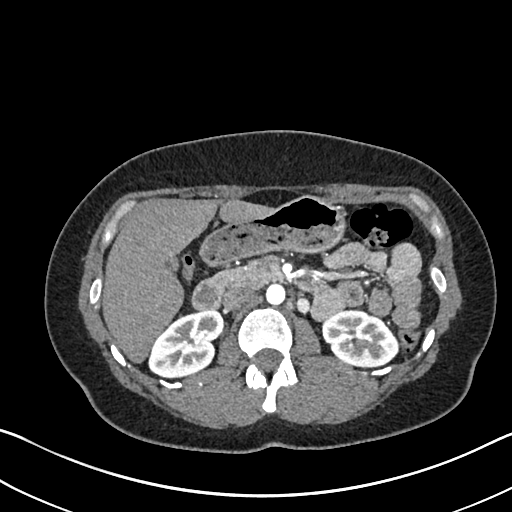
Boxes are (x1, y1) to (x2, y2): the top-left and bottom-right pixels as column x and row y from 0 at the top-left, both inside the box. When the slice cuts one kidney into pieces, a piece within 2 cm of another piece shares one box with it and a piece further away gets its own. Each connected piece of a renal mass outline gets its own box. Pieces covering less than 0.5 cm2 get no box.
This is axial slice 418 of 612 (slice 1 is the lowest) of an arterial-phase abdominal CT with contrast; each pixel is 0.703 mm and the slice is 1.00 mm thick. Boxed on this slice (two kidney boxes), listed by box centre from the image's left to its right: (1) Right kidney, box (148, 309) to (224, 377) (outlined area 3,703 px, about 18.3 cm2). (2) Box (321, 308) to (398, 369): left kidney (outlined area 3,452 px, about 17.1 cm2). No renal mass is outlined on this slice.
Tube voltage 120 kVp; convolution kernel I30f.